Abdominal CT with intravenous contrast, arterial phase, axial plane, 120 kVp, kernel I30f. Slice 379/673 from the bottom of the scan; thickness 1.00 mm; pixel size 0.855 mm.
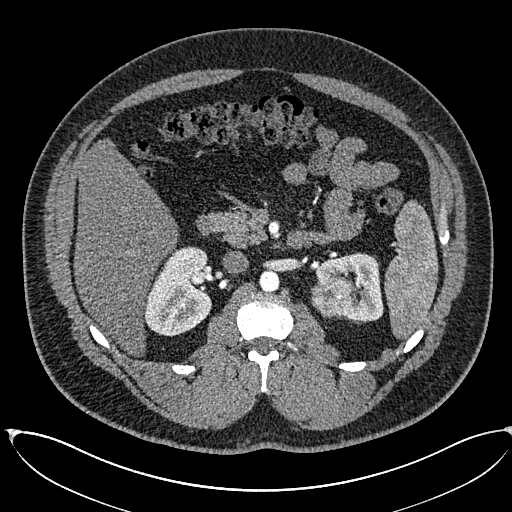
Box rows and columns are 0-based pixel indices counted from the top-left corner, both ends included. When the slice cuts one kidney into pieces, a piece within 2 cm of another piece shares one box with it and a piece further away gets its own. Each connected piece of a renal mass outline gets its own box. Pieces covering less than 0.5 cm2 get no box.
Two kidney boxes and one renal mass box on this slice; by box centre, from the image's left to its right: (1) Right kidney at rows 246–336, columns 144–211 (outlined area 4,561 px, about 33.4 cm2). (2) Box rows 275–317, columns 311–356: left renal mass (outlined area 1,592 px, about 11.7 cm2). (3) Box rows 252–322, columns 315–383: left kidney (outlined area 2,487 px, about 18.2 cm2).